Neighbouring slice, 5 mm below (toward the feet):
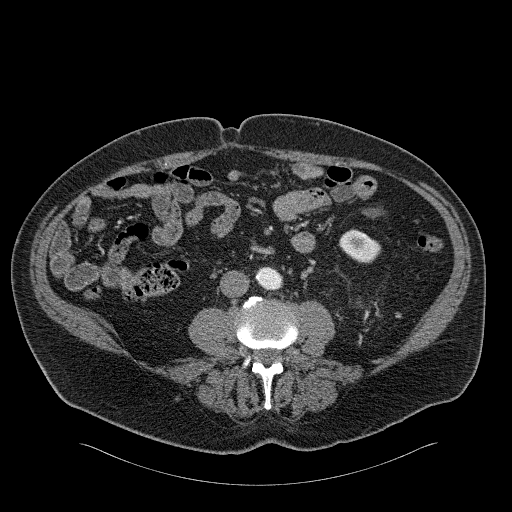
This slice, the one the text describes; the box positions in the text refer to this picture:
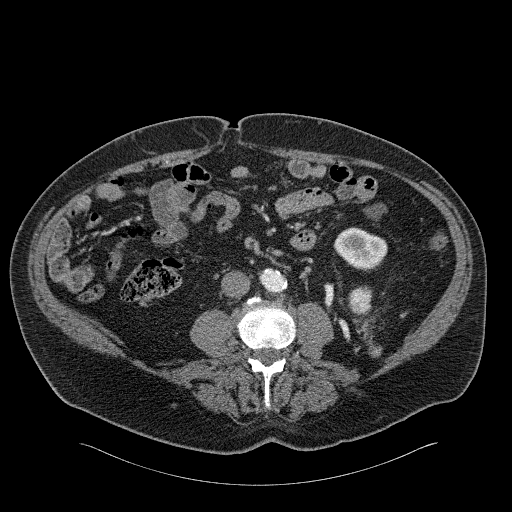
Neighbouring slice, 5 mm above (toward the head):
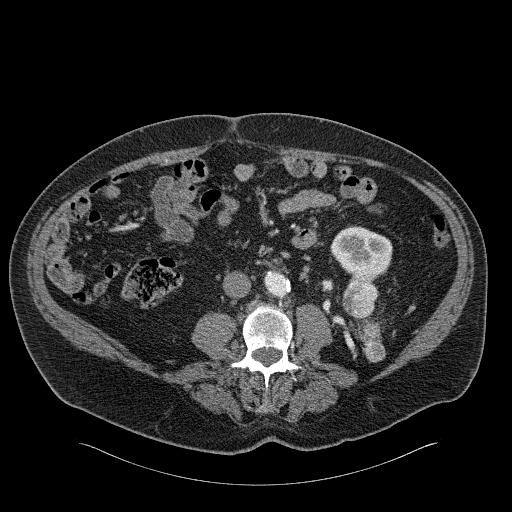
Arterial-phase contrast-enhanced abdominal CT, axial slice 66 of 326 (counted from the lowest slice); tube voltage 120 kVp, convolution kernel B31f; slices 2.00 mm thick, 0.963 mm per pixel.
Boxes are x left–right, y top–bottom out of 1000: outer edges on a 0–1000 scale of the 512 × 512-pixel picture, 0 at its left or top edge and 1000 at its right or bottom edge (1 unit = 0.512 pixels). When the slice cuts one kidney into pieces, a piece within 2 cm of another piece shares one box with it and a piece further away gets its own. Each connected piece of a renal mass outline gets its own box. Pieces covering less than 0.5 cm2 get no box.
One kidney box and one renal mass box on this slice; by box centre, from the image's left to its right: (1) Left kidney at x 650–758, y 443–529 out of 1000 (outlined area 1,687 px, about 15.6 cm2). (2) Left renal mass, box x 680–729, y 561–613 out of 1000 (outlined area 549 px, about 5.1 cm2); here it is more than 1 cm from any kidney outline, though on another slice the same outlined renal mass lies within 1 cm of the kidney. This slice lies near the end of the left renal mass toward the feet; the slices 5 mm below and 5 mm above it are shown too, and the boxes mark positions on this slice only.